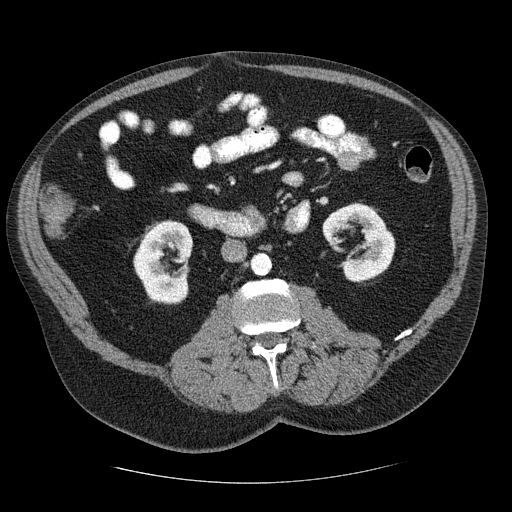
Axial slice 120 of 206 of a contrast-enhanced abdominal CT (slice 1 is the lowest), 120 kVp, kernel STANDARD; 2.50 mm slice thickness and 0.879 mm pixels.
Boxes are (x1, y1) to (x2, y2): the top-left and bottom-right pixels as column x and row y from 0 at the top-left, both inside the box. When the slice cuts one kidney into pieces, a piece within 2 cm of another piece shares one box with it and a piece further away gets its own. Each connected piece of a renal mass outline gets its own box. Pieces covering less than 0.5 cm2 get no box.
Boxed on this slice (two kidney boxes), listed by box centre from the image's left to its right: (1) Right kidney from (133, 219) to (193, 304) (outlined area 3,878 px, about 30.0 cm2). (2) Left kidney, box (322, 202) to (395, 282) (outlined area 3,792 px, about 29.3 cm2). No renal mass outline on this slice.